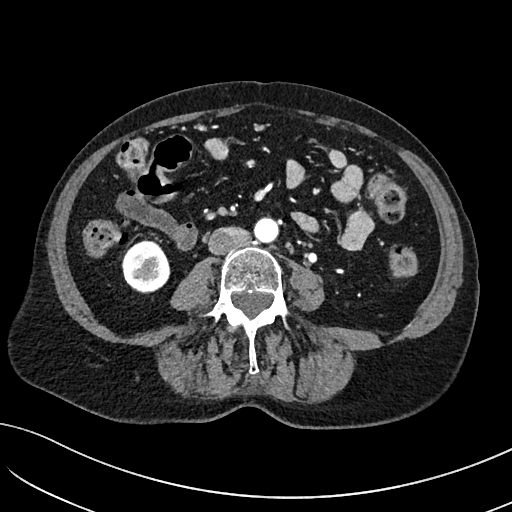
Abdominal CT with intravenous contrast, arterial phase, axial plane, 100 kVp, kernel I40f. Slice 15/234 from the bottom of the scan; thickness 2.00 mm; pixel size 0.699 mm.
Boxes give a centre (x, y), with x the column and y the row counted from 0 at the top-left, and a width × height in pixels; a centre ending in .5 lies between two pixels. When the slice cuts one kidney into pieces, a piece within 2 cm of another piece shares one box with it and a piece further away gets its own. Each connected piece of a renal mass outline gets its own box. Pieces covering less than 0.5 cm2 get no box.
Right kidney in a box with centre (145.5, 266.5), 50 × 54 pixels (outlined area 2,020 px, about 9.9 cm2). No renal mass is outlined on this slice.